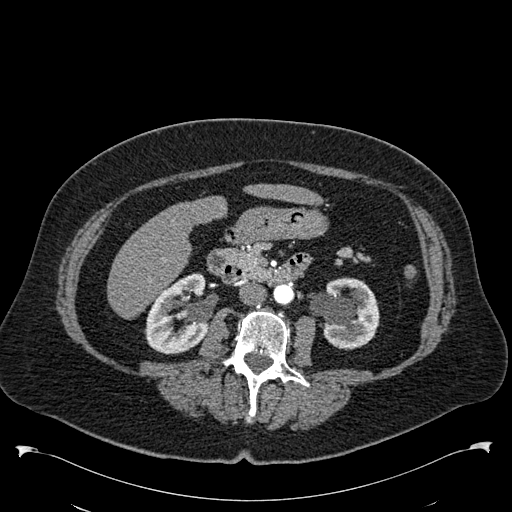
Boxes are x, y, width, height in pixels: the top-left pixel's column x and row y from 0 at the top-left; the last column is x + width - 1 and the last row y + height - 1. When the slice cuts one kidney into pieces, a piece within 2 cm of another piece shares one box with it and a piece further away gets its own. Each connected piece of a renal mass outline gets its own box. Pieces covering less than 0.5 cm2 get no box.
This is axial slice 292 of 538 (slice 1 is the lowest) of an arterial-phase abdominal CT with contrast; each pixel is 0.811 mm and the slice is 1.00 mm thick. Two kidney boxes on this slice; by box centre, from the image's left to its right: (1) Box x 144, y 273, width 64, height 82: right kidney (outlined area 3,736 px, about 24.5 cm2). (2) Box x 309, y 277, width 71, height 73: left kidney (outlined area 3,598 px, about 23.6 cm2). No renal mass is outlined on this slice.
Scan settings: 120 kVp, B30f reconstruction kernel.